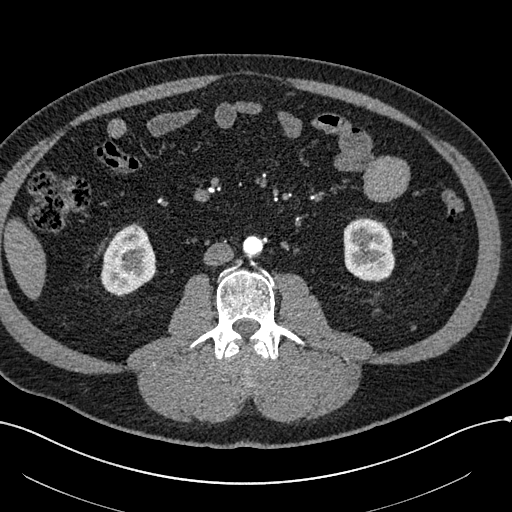
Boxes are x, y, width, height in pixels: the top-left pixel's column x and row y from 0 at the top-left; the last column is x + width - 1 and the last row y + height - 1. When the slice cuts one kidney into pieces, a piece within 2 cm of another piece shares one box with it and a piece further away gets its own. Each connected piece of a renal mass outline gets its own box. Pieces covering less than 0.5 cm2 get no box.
This is axial slice 240 of 602 (slice 1 is the lowest) of an arterial-phase abdominal CT with contrast; each pixel is 0.799 mm and the slice is 1.00 mm thick. Three boxes on this slice (two kidney boxes and one renal mass box), listed by box centre from the image's left to its right. (1) Right renal mass, box x 106, y 257, width 14, height 15 (outlined area 157 px, about 1.0 cm2). (2) Right kidney at x 100, y 223, width 57, height 74 (outlined area 2,835 px, about 18.1 cm2). (3) Left kidney, box x 343, y 217, width 53, height 65 (outlined area 2,785 px, about 17.8 cm2).
Scan settings: 120 kVp, I30f reconstruction kernel.